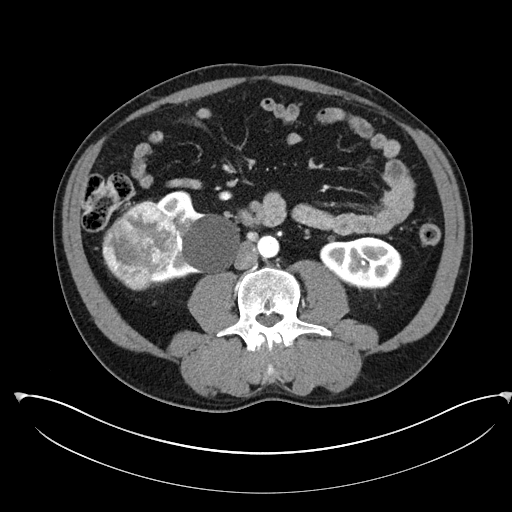
One axial slice (118 of 302, counting up from the lowest) of an arterial-phase abdominal CT acquired with 100 kVp, kernel I30f; each pixel is 0.875 mm and the slice is 5.00 mm thick.
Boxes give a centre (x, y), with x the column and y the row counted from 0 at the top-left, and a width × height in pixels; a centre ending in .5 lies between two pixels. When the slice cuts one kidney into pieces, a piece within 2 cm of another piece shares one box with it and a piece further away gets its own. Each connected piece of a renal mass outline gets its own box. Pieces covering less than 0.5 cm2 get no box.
Two kidney boxes and one renal mass box on this slice; by box centre, from the image's left to its right: (1) Right renal mass, box centre (139.5, 245), 76 × 91 pixels (outlined area 4,918 px, about 37.7 cm2). (2) Box centre (195.5, 237.5), 88 × 96 pixels: right kidney (outlined area 4,444 px, about 34.0 cm2). (3) Box centre (360.5, 263.5), 84 × 54 pixels: left kidney (outlined area 3,250 px, about 24.9 cm2).